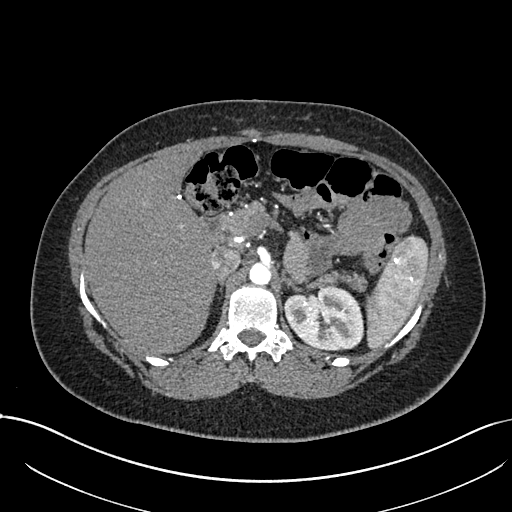
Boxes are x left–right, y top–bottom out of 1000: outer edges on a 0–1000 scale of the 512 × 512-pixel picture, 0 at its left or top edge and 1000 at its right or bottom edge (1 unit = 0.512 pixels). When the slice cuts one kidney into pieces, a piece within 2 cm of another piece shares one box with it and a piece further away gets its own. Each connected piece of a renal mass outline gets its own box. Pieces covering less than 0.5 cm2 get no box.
Slice 510/738 of a contrast-enhanced abdominal CT in the arterial phase, counting up from the lowest; pixel size 0.789 mm, slice thickness 1.00 mm. Box x 551–711, y 557–688 out of 1000: left kidney (outlined area 4,123 px, about 25.7 cm2). This slice carries no renal mass outline.
Scan settings: 120 kVp, I30f reconstruction kernel.